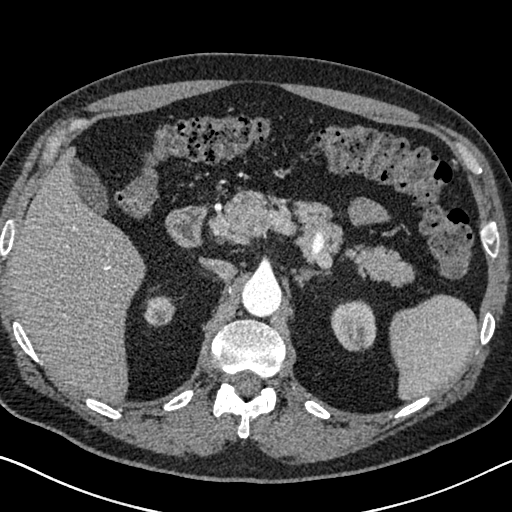
One axial slice (480 of 626, counting up from the lowest) of an arterial-phase abdominal CT acquired with 120 kVp, kernel I30f; each pixel is 0.703 mm and the slice is 1.00 mm thick.
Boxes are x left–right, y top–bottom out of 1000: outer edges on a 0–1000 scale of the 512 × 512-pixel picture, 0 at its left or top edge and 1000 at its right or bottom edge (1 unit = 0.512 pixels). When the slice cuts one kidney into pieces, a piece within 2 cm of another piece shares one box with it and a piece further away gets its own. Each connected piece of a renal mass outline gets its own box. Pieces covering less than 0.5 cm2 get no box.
Two kidney boxes on this slice; by box centre, from the image's left to its right: (1) Right kidney, box x 279–344, y 578–639 out of 1000 (outlined area 770 px, about 3.8 cm2). (2) Left kidney at x 645–736, y 584–688 out of 1000 (outlined area 1,882 px, about 9.3 cm2). No renal mass is outlined on this slice.